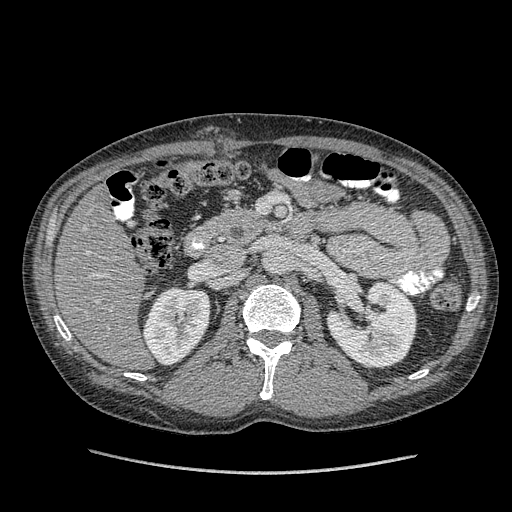
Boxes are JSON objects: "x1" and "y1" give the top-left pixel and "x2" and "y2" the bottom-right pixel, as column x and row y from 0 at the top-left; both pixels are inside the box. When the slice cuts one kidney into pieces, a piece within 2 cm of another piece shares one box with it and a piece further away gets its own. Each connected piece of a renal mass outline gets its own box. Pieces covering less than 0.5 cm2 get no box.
Slice 221/349 of a contrast-enhanced abdominal CT in the arterial phase, counting up from the lowest; pixel size 0.742 mm, slice thickness 1.25 mm. Boxed on this slice (two kidney boxes), listed by box centre from the image's left to its right: (1) Right kidney, box {"x1": 142, "y1": 286, "x2": 210, "y2": 365} (outlined area 4,079 px, about 22.5 cm2). (2) Box {"x1": 326, "y1": 279, "x2": 417, "y2": 369}: left kidney (outlined area 5,777 px, about 31.8 cm2). No renal mass outline on this slice.
Scan settings: 120 kVp, STANDARD reconstruction kernel.